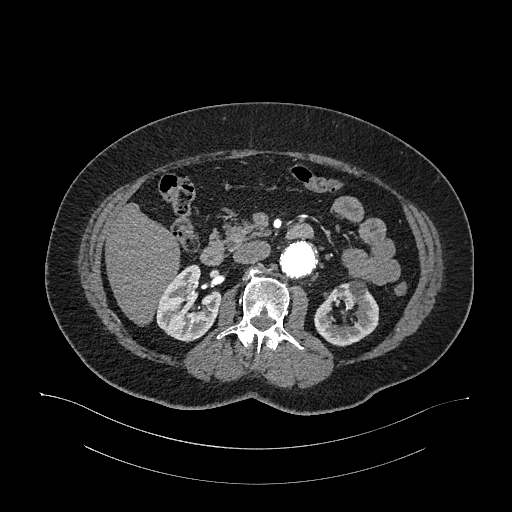
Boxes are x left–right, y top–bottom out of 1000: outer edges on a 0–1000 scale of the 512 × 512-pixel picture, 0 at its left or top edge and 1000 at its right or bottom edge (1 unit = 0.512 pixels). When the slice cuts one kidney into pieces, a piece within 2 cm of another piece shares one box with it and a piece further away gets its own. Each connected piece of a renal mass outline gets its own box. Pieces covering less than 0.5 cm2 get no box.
Slice 652/987 of a contrast-enhanced abdominal CT in the arterial phase, counting up from the lowest; pixel size 0.977 mm, slice thickness 1.00 mm. Boxed on this slice (two kidney boxes), listed by box centre from the image's left to its right: (1) Right kidney at x 303–434, y 516–668 out of 1000 (outlined area 3,418 px, about 32.6 cm2). (2) Left kidney at x 613–740, y 547–678 out of 1000 (outlined area 2,871 px, about 27.4 cm2). This slice carries no renal mass outline.
Scan settings: 120 kVp, I26f reconstruction kernel.